Axial slice 89 of 234 of a contrast-enhanced abdominal CT in the arterial phase (slice 1 is the lowest), 100 kVp, kernel I40f; 2.00 mm slice thickness and 0.699 mm pixels.
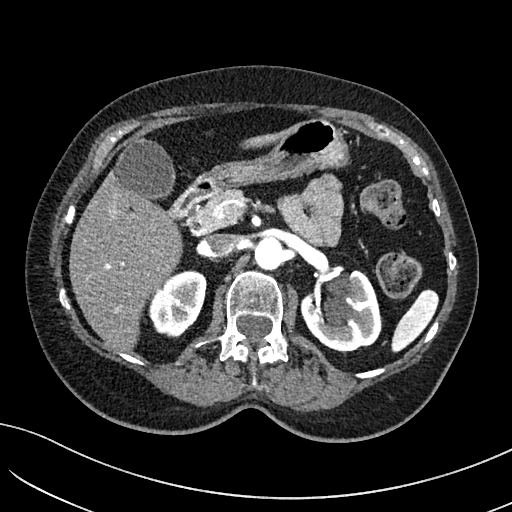
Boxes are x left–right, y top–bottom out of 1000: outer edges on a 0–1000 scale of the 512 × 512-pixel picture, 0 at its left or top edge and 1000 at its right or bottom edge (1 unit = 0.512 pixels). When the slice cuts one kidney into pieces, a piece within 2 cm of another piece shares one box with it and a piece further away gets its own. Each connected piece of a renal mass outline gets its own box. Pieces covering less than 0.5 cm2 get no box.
Boxed on this slice (two kidney boxes), listed by box centre from the image's left to its right: (1) Right kidney, box x 289–404, y 527–660 out of 1000 (outlined area 2,846 px, about 13.9 cm2). (2) Left kidney at x 586–746, y 525–688 out of 1000 (outlined area 4,761 px, about 23.3 cm2). No renal mass is outlined on this slice.